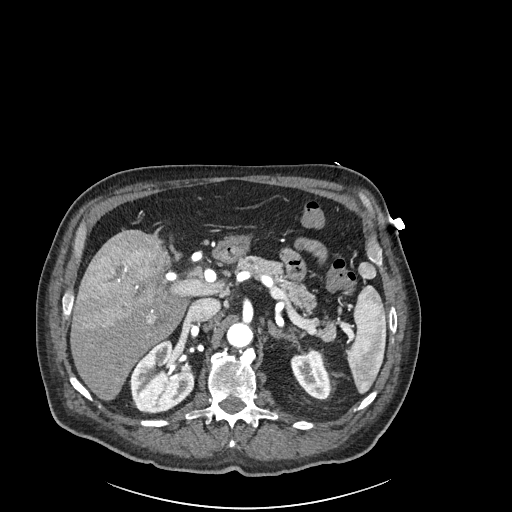
Arterial-phase contrast-enhanced abdominal CT, axial slice 153 of 261 (counted from the lowest slice); tube voltage 120 kVp, convolution kernel I30f; slices 2.00 mm thick, 0.939 mm per pixel.
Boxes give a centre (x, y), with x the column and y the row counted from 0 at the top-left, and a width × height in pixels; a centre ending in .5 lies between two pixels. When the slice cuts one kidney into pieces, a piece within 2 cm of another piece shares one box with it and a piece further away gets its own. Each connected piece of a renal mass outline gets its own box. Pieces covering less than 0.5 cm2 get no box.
Two boxes on this slice (two kidney boxes), listed by box centre from the image's left to its right. (1) Box centre (162, 377), 67 × 75 pixels: right kidney (outlined area 3,518 px, about 31.0 cm2). (2) Left kidney, box centre (310, 374.5), 41 × 50 pixels (outlined area 1,388 px, about 12.3 cm2). No renal mass is outlined on this slice.